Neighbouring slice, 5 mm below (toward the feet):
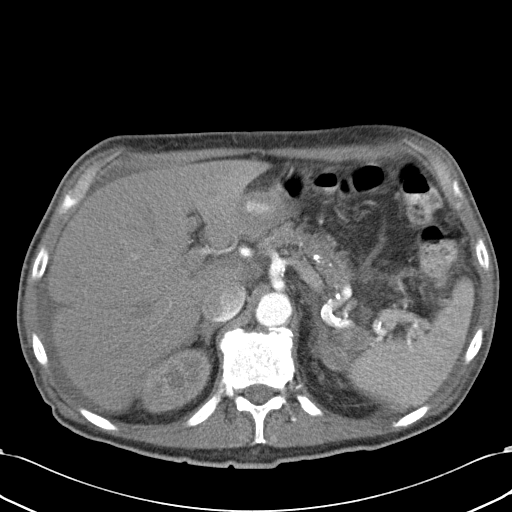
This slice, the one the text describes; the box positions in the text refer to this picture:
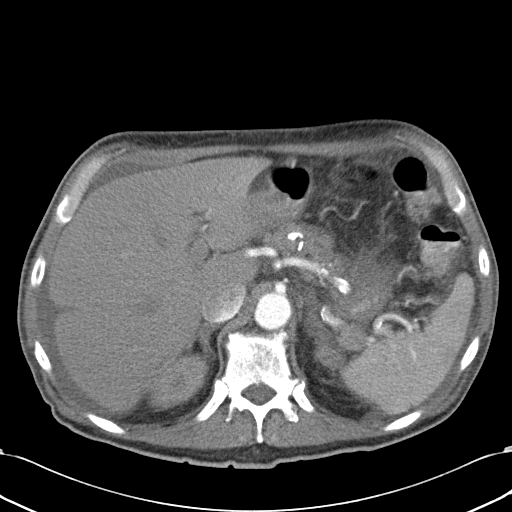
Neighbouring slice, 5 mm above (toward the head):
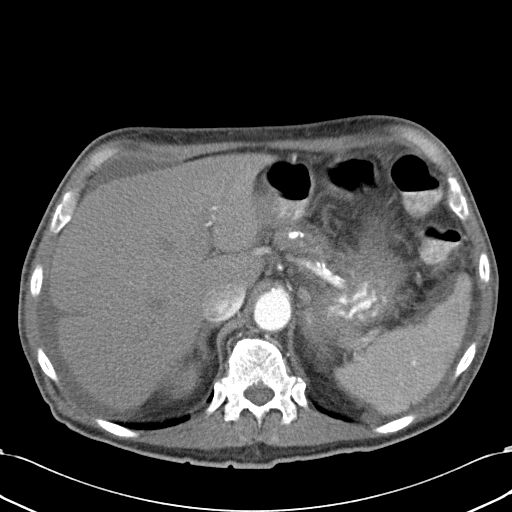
Contrast-enhanced abdominal CT, axial slice 26 of 43 (counted from the lowest slice); tube voltage 120 kVp, convolution kernel B31f; slices 5.00 mm thick, 0.701 mm per pixel.
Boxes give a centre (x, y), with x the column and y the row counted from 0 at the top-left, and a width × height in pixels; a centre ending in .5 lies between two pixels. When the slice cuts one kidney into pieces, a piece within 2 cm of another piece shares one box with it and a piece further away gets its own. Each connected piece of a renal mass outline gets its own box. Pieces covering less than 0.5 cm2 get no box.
One kidney box and one renal mass box on this slice; by box centre, from the image's left to its right: (1) Box centre (178.5, 381), 60 × 55 pixels: right kidney (outlined area 2,132 px, about 10.5 cm2). (2) Left renal mass in a box with centre (342.5, 345.5), 54 × 50 pixels (outlined area 1,561 px, about 7.7 cm2); here it is more than 1 cm from any kidney outline, though on another slice the same outlined renal mass lies within 1 cm of the kidney. This slice lies near the end of the left renal mass toward the head; the slices 5 mm below and 5 mm above it are shown too, and the boxes mark positions on this slice only.